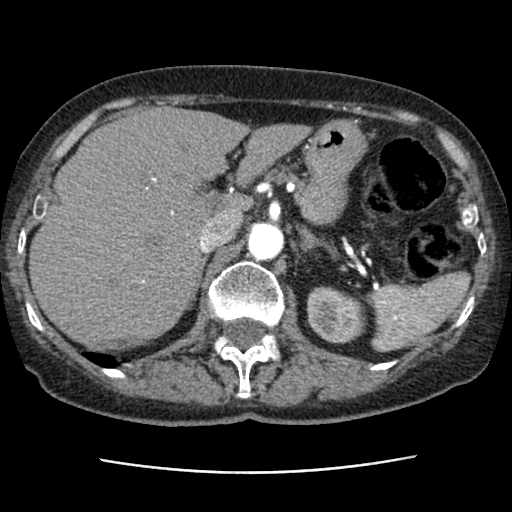
One axial slice (63 of 76, counting up from the lowest) of a contrast-enhanced abdominal CT acquired with 120 kVp, kernel STANDARD; each pixel is 0.586 mm and the slice is 2.50 mm thick.
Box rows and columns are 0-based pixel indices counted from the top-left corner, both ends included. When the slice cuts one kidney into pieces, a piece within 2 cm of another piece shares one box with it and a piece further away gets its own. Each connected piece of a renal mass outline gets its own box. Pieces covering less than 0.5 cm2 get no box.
Left kidney, box rows 286–343, columns 306–366 (outlined area 2,675 px, about 9.2 cm2). This slice carries no renal mass outline.